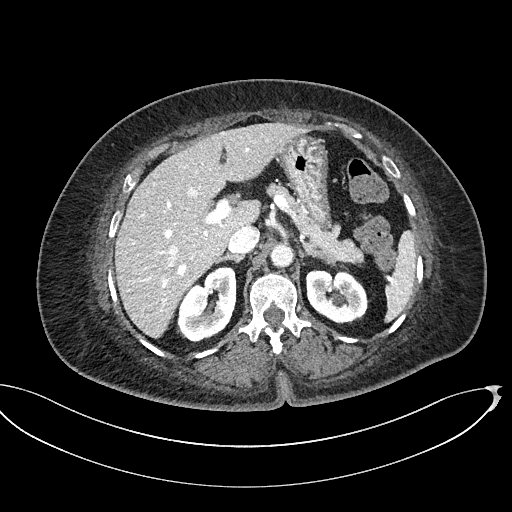
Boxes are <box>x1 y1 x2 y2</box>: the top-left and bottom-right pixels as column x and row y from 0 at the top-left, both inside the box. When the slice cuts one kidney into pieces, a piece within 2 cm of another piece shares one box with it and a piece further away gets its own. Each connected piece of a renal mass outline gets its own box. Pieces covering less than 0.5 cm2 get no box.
Slice 340/439 of a contrast-enhanced abdominal CT, counting up from the lowest; pixel size 0.850 mm, slice thickness 2.00 mm. Boxed on this slice (two kidney boxes), listed by box centre from the image's left to its right: (1) At <box>177 267 236 342</box>: right kidney (outlined area 3,236 px, about 23.4 cm2). (2) Left kidney at <box>305 269 368 323</box> (outlined area 2,676 px, about 19.3 cm2). No renal mass outline on this slice.
Tube voltage 100 kVp; convolution kernel I40f.